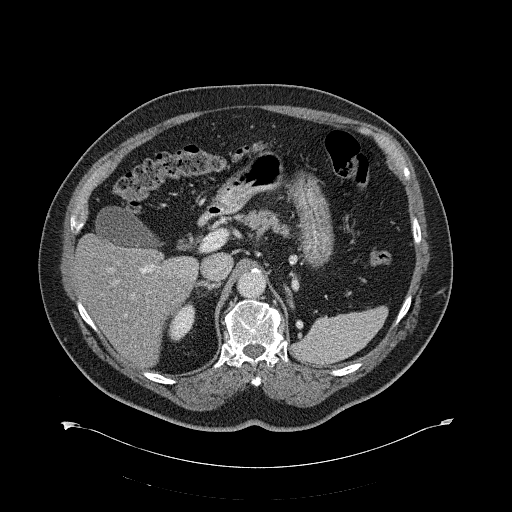
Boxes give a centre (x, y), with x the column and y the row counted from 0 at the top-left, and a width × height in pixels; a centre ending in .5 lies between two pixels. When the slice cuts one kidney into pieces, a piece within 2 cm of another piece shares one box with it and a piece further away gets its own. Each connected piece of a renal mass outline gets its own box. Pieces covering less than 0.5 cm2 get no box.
Contrast-enhanced abdominal CT, axial slice 427 of 734 (counted from the lowest slice); 2.00 mm thick, 0.971 mm per pixel. Right kidney, box centre (181.5, 321), 28 × 41 pixels (outlined area 689 px, about 6.5 cm2). This slice carries no renal mass outline.
Tube voltage 120 kVp; convolution kernel B31f.